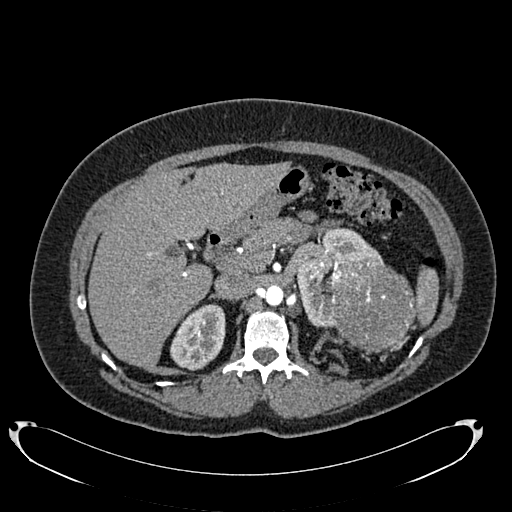
Abdominal CT with intravenous contrast, arterial phase, axial plane, 120 kVp, kernel B20f. Slice 497/634 from the bottom of the scan; thickness 1.00 mm; pixel size 0.838 mm.
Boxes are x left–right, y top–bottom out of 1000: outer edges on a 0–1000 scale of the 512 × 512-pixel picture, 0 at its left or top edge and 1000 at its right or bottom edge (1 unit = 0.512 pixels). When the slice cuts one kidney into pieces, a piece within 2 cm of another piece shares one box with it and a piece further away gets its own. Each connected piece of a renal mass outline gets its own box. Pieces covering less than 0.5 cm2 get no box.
Two kidney boxes and one renal mass box on this slice; by box centre, from the image's left to its right: (1) Right kidney, box x 332–441, y 594–725 out of 1000 (outlined area 2,723 px, about 19.1 cm2). (2) Box x 578–750, y 445–641 out of 1000: left kidney (outlined area 3,713 px, about 26.1 cm2). (3) Left renal mass, box x 637–811, y 508–688 out of 1000 (outlined area 6,409 px, about 45.0 cm2).